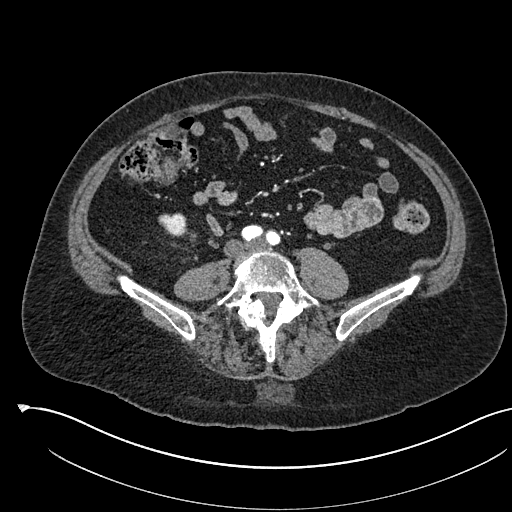
One axial slice (186 of 541, counting up from the lowest) of an arterial-phase abdominal CT acquired with 120 kVp, kernel I30f; each pixel is 0.834 mm and the slice is 1.00 mm thick.
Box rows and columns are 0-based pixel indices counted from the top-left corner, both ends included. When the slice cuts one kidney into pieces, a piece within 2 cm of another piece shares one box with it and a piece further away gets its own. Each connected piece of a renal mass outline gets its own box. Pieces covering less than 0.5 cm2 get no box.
Right kidney, box rows 213–236, columns 158–187 (outlined area 549 px, about 3.8 cm2).